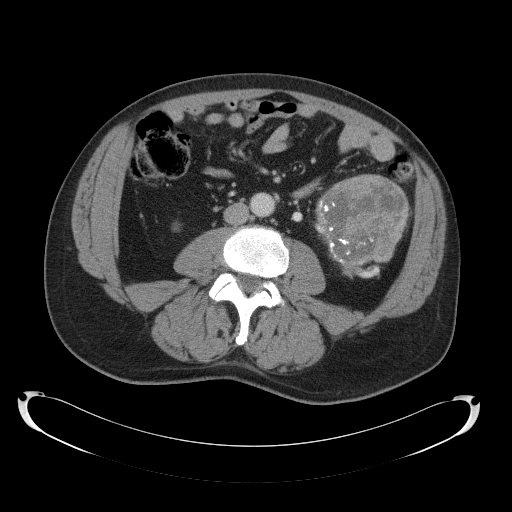
One axial slice (57 of 145, counting up from the lowest) of a contrast-enhanced abdominal CT acquired with 120 kVp, kernel B41f; each pixel is 0.859 mm and the slice is 5.00 mm thick.
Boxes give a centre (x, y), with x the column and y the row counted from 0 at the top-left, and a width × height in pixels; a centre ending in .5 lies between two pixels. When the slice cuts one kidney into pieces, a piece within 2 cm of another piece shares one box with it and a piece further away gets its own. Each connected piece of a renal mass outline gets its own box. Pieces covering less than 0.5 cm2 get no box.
Left renal mass, box centre (362, 226), 99 × 105 pixels (outlined area 7,417 px, about 54.8 cm2); on this slice it lies more than 1 cm from any kidney outline, but the same outlined renal mass comes within 1 cm of the kidney on another slice.